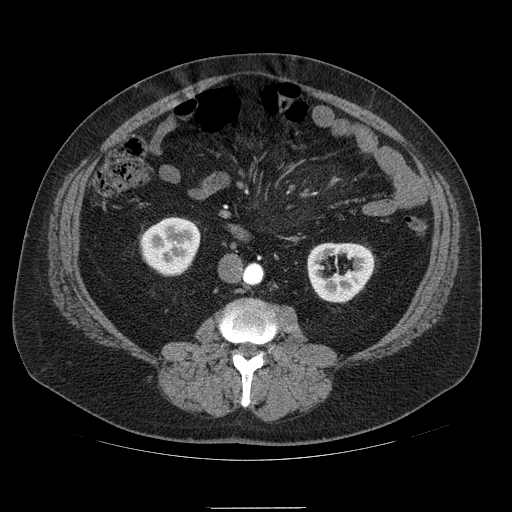
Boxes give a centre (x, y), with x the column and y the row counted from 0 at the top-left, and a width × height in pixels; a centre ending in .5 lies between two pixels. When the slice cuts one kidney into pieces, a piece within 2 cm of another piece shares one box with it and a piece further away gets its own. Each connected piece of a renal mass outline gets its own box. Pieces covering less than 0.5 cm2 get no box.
This is axial slice 33 of 121 (slice 1 is the lowest) of an arterial-phase abdominal CT with contrast; each pixel is 0.861 mm and the slice is 2.50 mm thick. Two boxes on this slice (two kidney boxes), listed by box centre from the image's left to its right. (1) Right kidney in a box with centre (170, 246), 61 × 59 pixels (outlined area 2,733 px, about 20.3 cm2). (2) Box centre (340.5, 272), 68 × 61 pixels: left kidney (outlined area 2,852 px, about 21.2 cm2). This slice carries no renal mass outline.
Tube voltage 120 kVp; convolution kernel STANDARD.